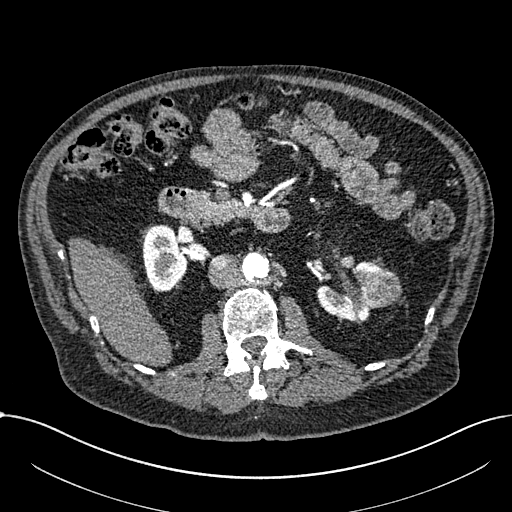
Axial slice 397 of 1059 of a contrast-enhanced abdominal CT in the arterial phase (slice 1 is the lowest), 100 kVp, kernel I30f; 1.00 mm slice thickness and 0.811 mm pixels.
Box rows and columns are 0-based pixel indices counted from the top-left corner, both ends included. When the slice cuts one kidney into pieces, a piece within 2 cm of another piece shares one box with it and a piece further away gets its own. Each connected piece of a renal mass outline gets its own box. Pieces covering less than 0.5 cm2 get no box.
Two kidney boxes and one renal mass box on this slice; by box centre, from the image's left to its right: (1) Right part of the midline-crossing kidney, box rows 224–291, columns 142–188 (outlined area 2,349 px, about 15.4 cm2). (2) Box rows 261–320, columns 316–387: left part of the midline-crossing kidney (outlined area 2,037 px, about 13.4 cm2). (3) Renal mass, box rows 270–307, columns 360–402 (outlined area 1,219 px, about 8.0 cm2).